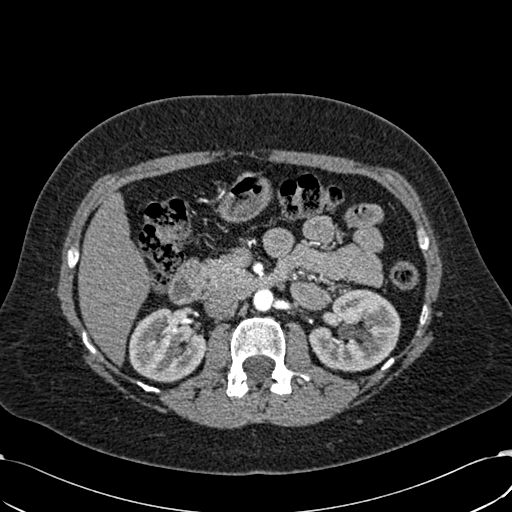
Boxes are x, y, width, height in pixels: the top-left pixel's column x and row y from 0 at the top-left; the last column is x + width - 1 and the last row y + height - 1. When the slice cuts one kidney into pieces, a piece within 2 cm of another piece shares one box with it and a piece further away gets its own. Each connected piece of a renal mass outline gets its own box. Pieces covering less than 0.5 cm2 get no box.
Slice 370/532 of a contrast-enhanced abdominal CT in the arterial phase, counting up from the lowest; pixel size 0.713 mm, slice thickness 1.00 mm. Two boxes on this slice (two kidney boxes), listed by box centre from the image's left to its right. (1) Right kidney, box x 129, y 308, width 78, height 75 (outlined area 4,283 px, about 21.8 cm2). (2) Left kidney, box x 308, y 289, width 93, height 83 (outlined area 5,514 px, about 28.0 cm2). No renal mass is outlined on this slice.
Tube voltage 120 kVp; convolution kernel B30f.